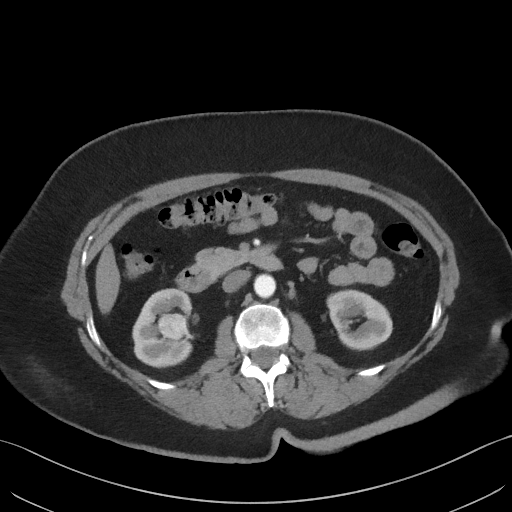
Axial slice 25 of 69 of a contrast-enhanced abdominal CT (slice 1 is the lowest), 140 kVp, kernel I41f; 3.00 mm slice thickness and 0.736 mm pixels.
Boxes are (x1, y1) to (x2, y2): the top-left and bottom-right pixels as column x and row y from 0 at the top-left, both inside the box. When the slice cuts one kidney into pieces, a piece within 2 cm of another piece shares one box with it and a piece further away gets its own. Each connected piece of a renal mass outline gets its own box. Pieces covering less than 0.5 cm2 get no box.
Three boxes on this slice (two kidney boxes and one renal mass box), listed by box centre from the image's left to its right. (1) Box (132, 289) to (193, 368): right kidney (outlined area 3,301 px, about 17.9 cm2). (2) Box (158, 314) to (186, 339): right renal mass (outlined area 625 px, about 3.4 cm2). (3) Box (326, 289) to (392, 350): left kidney (outlined area 2,988 px, about 16.2 cm2).